Contrast-enhanced abdominal CT, axial slice 64 of 102 (counted from the lowest slice); tube voltage 120 kVp, convolution kernel I40f; slices 5.00 mm thick, 0.977 mm per pixel.
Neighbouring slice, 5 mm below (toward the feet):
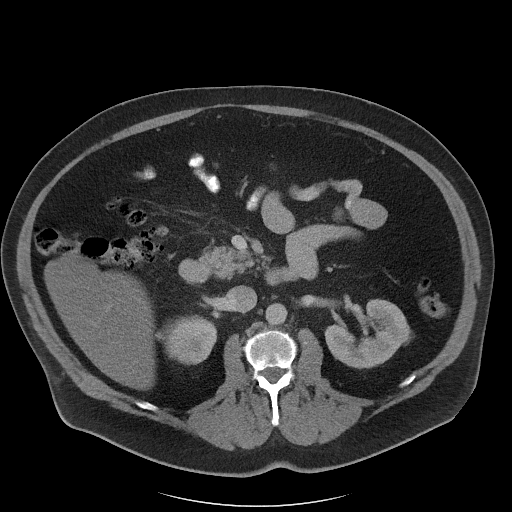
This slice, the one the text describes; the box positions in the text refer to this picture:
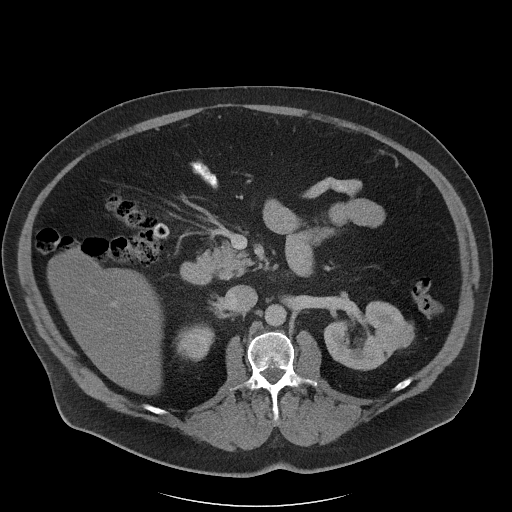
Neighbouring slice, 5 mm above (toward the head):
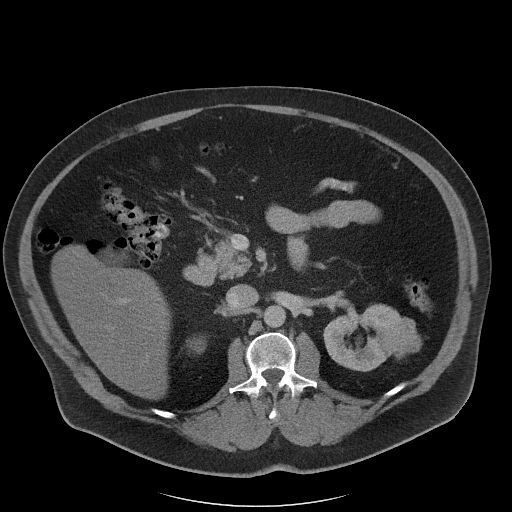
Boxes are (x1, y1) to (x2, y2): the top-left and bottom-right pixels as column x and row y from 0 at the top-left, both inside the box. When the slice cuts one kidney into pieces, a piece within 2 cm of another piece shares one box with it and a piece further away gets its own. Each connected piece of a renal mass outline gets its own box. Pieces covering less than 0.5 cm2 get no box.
Three boxes on this slice (two kidney boxes and one renal mass box), listed by box centre from the image's left to its right. (1) Right kidney from (176, 323) to (214, 361) (outlined area 1,098 px, about 10.5 cm2). (2) Left kidney, box (324, 302) to (403, 369) (outlined area 3,500 px, about 33.4 cm2). (3) Left renal mass from (393, 321) to (414, 347) (outlined area 443 px, about 4.2 cm2). This slice lies near the end of the left renal mass toward the feet; the slices 5 mm below and 5 mm above it are shown too, and the boxes mark positions on this slice only.